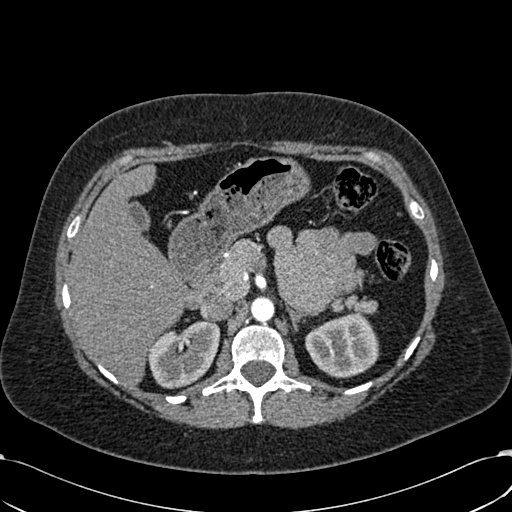
Axial slice 417 of 532 of a contrast-enhanced abdominal CT in the arterial phase (slice 1 is the lowest), 120 kVp, kernel B30f; 1.00 mm slice thickness and 0.713 mm pixels.
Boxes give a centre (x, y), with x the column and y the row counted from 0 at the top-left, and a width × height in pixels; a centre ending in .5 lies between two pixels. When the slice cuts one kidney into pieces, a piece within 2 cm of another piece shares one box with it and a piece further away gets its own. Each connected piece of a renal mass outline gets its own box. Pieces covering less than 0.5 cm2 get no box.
Boxed on this slice (two kidney boxes), listed by box centre from the image's left to its right: (1) Box centre (183.5, 354), 74 × 69 pixels: right kidney (outlined area 3,574 px, about 18.2 cm2). (2) Box centre (342, 345), 75 × 67 pixels: left kidney (outlined area 3,615 px, about 18.4 cm2). No renal mass outline on this slice.